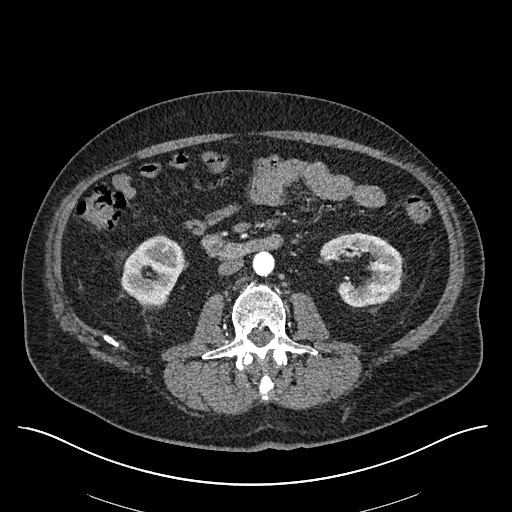
One axial slice (285 of 670, counting up from the lowest) of an arterial-phase abdominal CT acquired with 120 kVp, kernel I30f; each pixel is 0.861 mm and the slice is 1.00 mm thick.
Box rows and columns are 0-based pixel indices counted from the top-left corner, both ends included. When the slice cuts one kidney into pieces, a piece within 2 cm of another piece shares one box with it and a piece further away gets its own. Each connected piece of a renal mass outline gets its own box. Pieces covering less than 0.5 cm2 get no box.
Two kidney boxes on this slice; by box centre, from the image's left to its right: (1) Right kidney, box rows 234–305, columns 121–185 (outlined area 3,285 px, about 24.4 cm2). (2) Left kidney, box rows 233–306, columns 319–401 (outlined area 3,829 px, about 28.4 cm2).